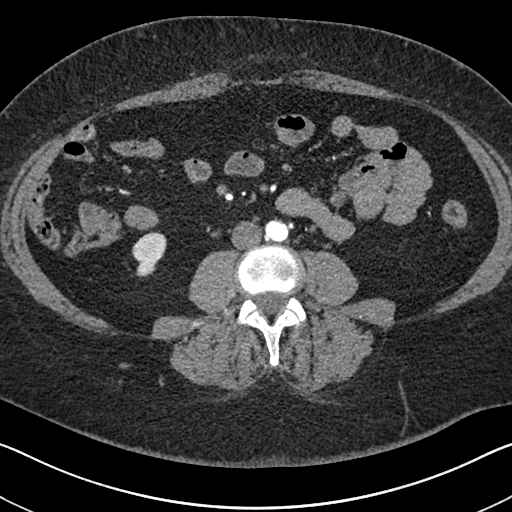
Axial slice 278 of 591 of a contrast-enhanced abdominal CT in the arterial phase (slice 1 is the lowest), 140 kVp, kernel I30f; 1.00 mm slice thickness and 0.703 mm pixels.
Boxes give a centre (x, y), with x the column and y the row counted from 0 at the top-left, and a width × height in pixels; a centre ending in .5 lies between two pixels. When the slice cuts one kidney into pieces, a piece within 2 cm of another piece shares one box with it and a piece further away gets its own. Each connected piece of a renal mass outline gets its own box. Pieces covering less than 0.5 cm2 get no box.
Box centre (149, 253.5), 35 × 46 pixels: right kidney (outlined area 1,100 px, about 5.4 cm2). No renal mass is outlined on this slice.